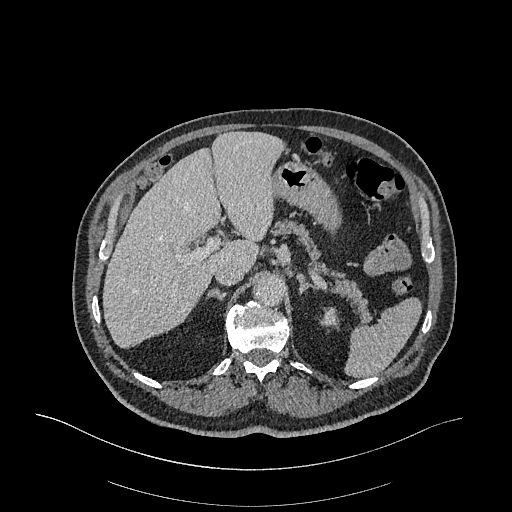
Abdominal CT with intravenous contrast, arterial phase, axial plane, 120 kVp, kernel I26f. Slice 259/470 from the bottom of the scan; thickness 1.00 mm; pixel size 0.938 mm.
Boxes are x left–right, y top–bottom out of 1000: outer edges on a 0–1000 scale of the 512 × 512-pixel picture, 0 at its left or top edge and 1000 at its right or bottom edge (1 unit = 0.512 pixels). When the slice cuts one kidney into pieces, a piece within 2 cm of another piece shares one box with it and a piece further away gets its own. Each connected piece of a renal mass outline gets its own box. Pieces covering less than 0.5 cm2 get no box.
Box x 623–664, y 600–646 out of 1000: left kidney (outlined area 347 px, about 3.0 cm2). No renal mass is outlined on this slice.